Axial slice 52 of 106 of a contrast-enhanced abdominal CT in the arterial phase (slice 1 is the lowest), 120 kVp, kernel STANDARD; 2.50 mm slice thickness and 0.742 mm pixels.
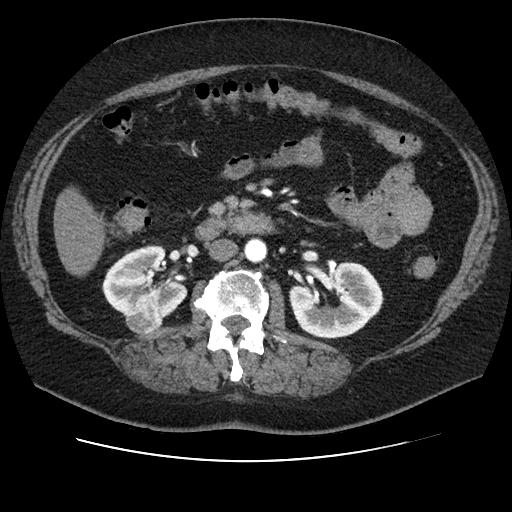
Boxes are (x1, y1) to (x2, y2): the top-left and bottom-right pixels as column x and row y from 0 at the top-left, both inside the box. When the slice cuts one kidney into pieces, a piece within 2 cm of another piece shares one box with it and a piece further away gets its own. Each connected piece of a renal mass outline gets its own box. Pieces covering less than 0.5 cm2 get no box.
Three boxes on this slice (two kidney boxes and one renal mass box), listed by box centre from the image's left to its right. (1) Box (125, 293) to (163, 335): right renal mass (outlined area 1,155 px, about 6.4 cm2). (2) Right kidney, box (102, 245) to (187, 317) (outlined area 3,896 px, about 21.5 cm2). (3) Left kidney, box (289, 261) to (383, 338) (outlined area 5,142 px, about 28.3 cm2).